Arterial-phase contrast-enhanced abdominal CT, axial slice 435 of 719 (counted from the lowest slice); tube voltage 120 kVp, convolution kernel B20f; slices 1.00 mm thick, 0.766 mm per pixel.
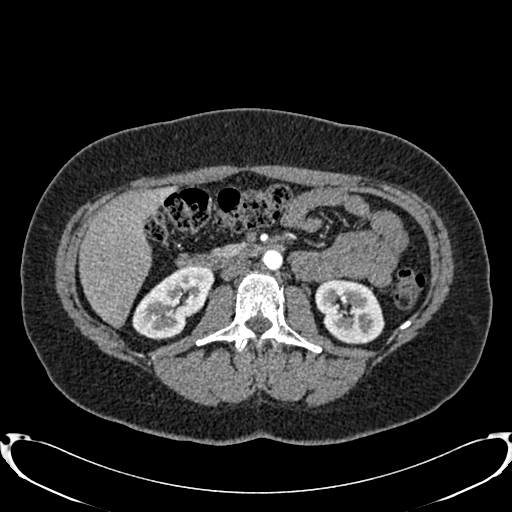
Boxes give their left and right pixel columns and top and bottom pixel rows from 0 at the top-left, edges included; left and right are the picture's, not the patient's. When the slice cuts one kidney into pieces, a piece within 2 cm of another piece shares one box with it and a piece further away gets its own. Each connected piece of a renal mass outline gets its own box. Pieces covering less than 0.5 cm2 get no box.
Two kidney boxes on this slice; by box centre, from the image's left to its right: (1) Box with left 132, top 265, right 213, bottom 340: right kidney (outlined area 3,846 px, about 22.5 cm2). (2) Left kidney, the box with left 315, top 278, right 384, bottom 344 (outlined area 3,470 px, about 20.3 cm2). This slice carries no renal mass outline.